One axial slice (119 of 163, counting up from the lowest) of a contrast-enhanced abdominal CT acquired with 100 kVp, kernel I40f; each pixel is 0.799 mm and the slice is 3.00 mm thick.
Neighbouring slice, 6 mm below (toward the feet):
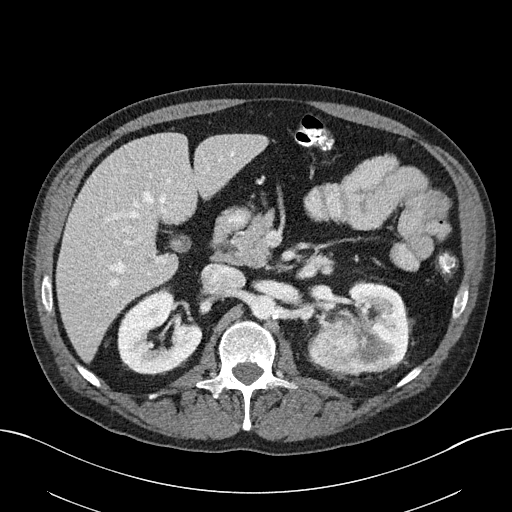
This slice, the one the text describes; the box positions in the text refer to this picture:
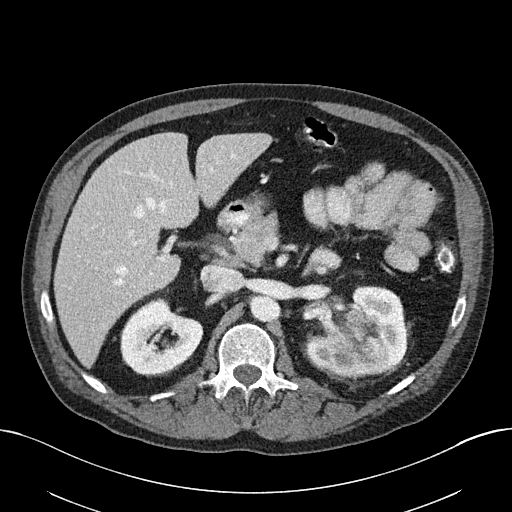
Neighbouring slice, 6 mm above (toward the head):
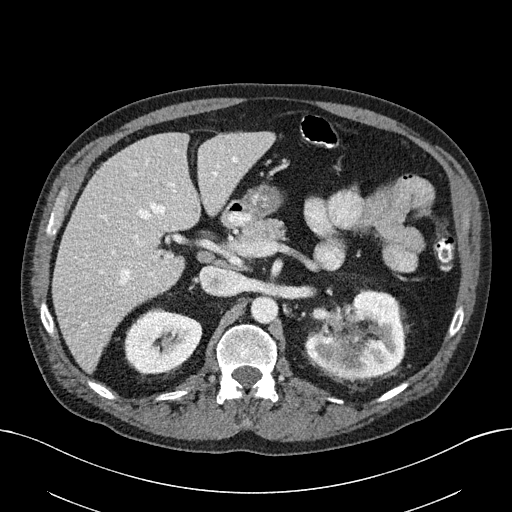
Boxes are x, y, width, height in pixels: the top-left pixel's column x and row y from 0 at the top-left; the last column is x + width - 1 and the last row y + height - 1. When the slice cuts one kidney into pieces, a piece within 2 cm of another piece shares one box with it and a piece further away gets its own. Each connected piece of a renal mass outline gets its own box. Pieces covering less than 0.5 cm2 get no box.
Two kidney boxes and one renal mass box on this slice; by box centre, from the image's left to its right: (1) Right kidney, box x 120, y 298, width 84, height 78 (outlined area 4,367 px, about 27.9 cm2). (2) Left renal mass at x 327, y 334, width 23, height 20 (outlined area 372 px, about 2.4 cm2). (3) Left kidney at x 305, y 286, width 104, height 93 (outlined area 6,563 px, about 41.9 cm2). This slice lies near the end of the left renal mass toward the head; the slices 6 mm below and 6 mm above it are shown too, and the boxes mark positions on this slice only.